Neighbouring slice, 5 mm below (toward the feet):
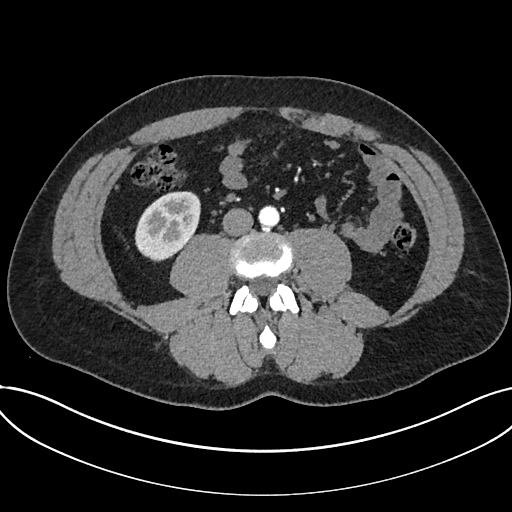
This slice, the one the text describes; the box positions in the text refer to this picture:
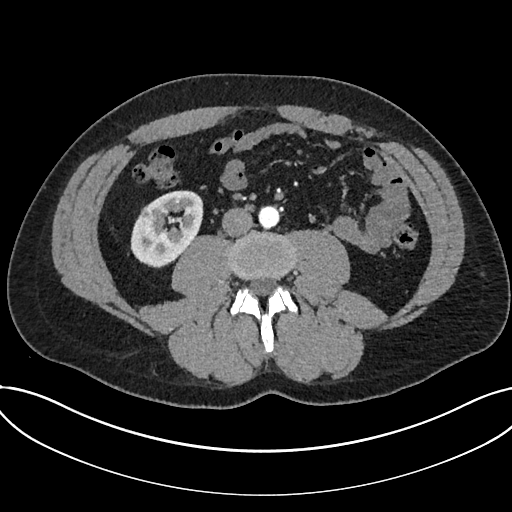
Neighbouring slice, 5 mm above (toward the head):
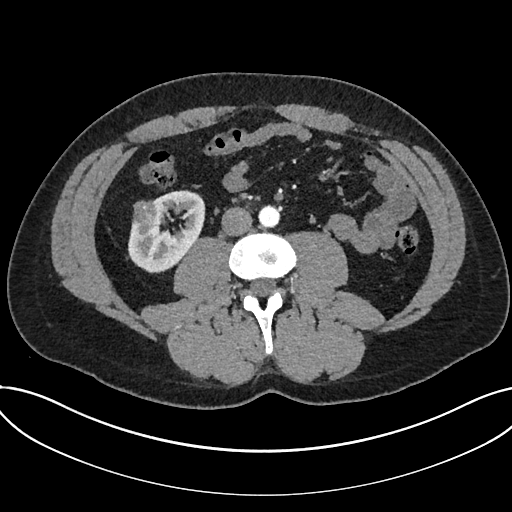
Axial slice 310 of 735 of a contrast-enhanced abdominal CT in the arterial phase (slice 1 is the lowest), 120 kVp, kernel I30f; 1.00 mm slice thickness and 0.789 mm pixels.
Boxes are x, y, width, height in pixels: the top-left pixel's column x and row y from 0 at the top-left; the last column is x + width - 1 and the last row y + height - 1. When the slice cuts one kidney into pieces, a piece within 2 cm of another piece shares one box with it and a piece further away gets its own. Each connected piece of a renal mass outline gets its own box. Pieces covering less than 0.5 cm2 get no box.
Two boxes on this slice (one kidney box and one renal mass box), listed by box centre from the image's left to its right. (1) Renal mass at x 140, y 203, width 17, height 15 (outlined area 189 px, about 1.2 cm2). (2) Kidney at x 130, y 190, width 74, height 78 (outlined area 3,861 px, about 24.0 cm2). This slice is near the end of a renal mass toward the feet, so the slices 5 mm below and 5 mm above it are shown as well; the boxes refer to this slice only.